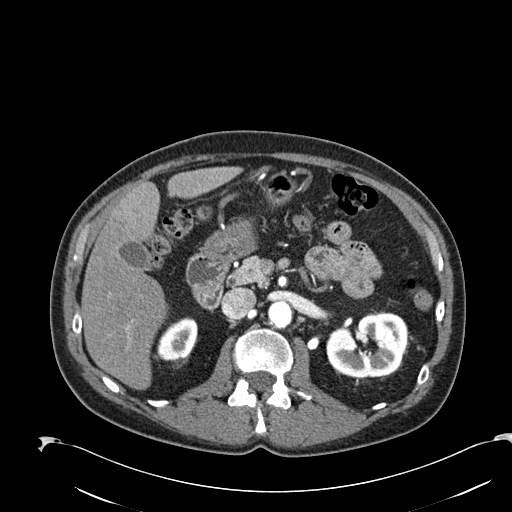
Arterial-phase contrast-enhanced abdominal CT, axial slice 134 of 274 (counted from the lowest slice); tube voltage 120 kVp, convolution kernel B30f; slices 2.00 mm thick, 0.809 mm per pixel.
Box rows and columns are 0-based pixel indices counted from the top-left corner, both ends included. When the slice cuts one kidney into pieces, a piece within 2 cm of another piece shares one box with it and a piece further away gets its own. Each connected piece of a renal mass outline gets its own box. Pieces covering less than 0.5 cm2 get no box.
Two kidney boxes on this slice; by box centre, from the image's left to its right: (1) Right kidney, box rows 317–360, columns 157–197 (outlined area 1,348 px, about 8.8 cm2). (2) Left kidney at rows 312–378, columns 326–408 (outlined area 4,188 px, about 27.4 cm2). No renal mass outline on this slice.